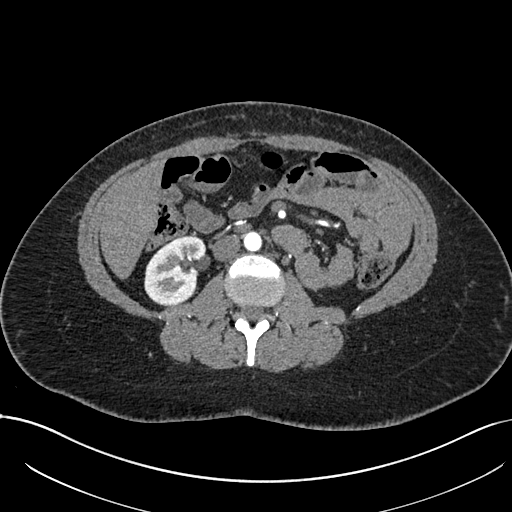
Axial slice 371 of 738 of a contrast-enhanced abdominal CT in the arterial phase (slice 1 is the lowest), 120 kVp, kernel I30f; 1.00 mm slice thickness and 0.789 mm pixels.
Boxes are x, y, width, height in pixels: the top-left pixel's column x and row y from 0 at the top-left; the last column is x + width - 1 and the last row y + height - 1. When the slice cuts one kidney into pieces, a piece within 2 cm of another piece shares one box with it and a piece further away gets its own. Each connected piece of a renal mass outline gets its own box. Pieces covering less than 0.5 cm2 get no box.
Box x 144, y 236, width 63, height 71: right kidney (outlined area 3,256 px, about 20.3 cm2). No renal mass outline on this slice.